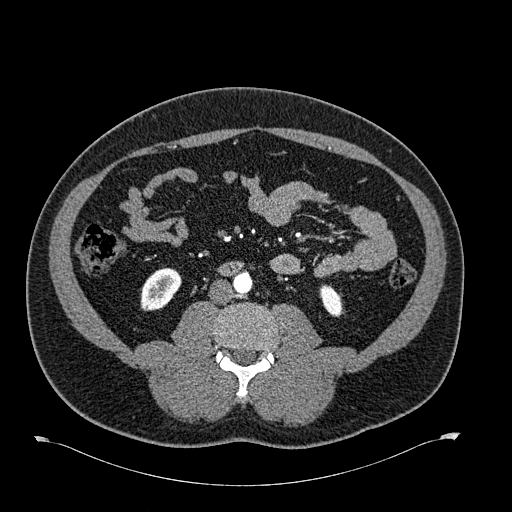
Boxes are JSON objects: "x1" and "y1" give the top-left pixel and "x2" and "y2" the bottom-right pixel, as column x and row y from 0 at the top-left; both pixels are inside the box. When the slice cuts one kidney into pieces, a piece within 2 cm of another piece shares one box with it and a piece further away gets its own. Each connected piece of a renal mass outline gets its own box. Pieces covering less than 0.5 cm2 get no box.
This is axial slice 271 of 723 (slice 1 is the lowest) of an arterial-phase abdominal CT with contrast; each pixel is 0.895 mm and the slice is 1.00 mm thick. Two kidney boxes on this slice; by box centre, from the image's left to its right: (1) Right kidney at {"x1": 140, "y1": 268, "x2": 181, "y2": 311} (outlined area 1,315 px, about 10.5 cm2). (2) Left kidney at {"x1": 319, "y1": 284, "x2": 342, "y2": 317} (outlined area 553 px, about 4.4 cm2). No renal mass is outlined on this slice.
Acquired at 120 kVp and reconstructed with the B30f kernel.